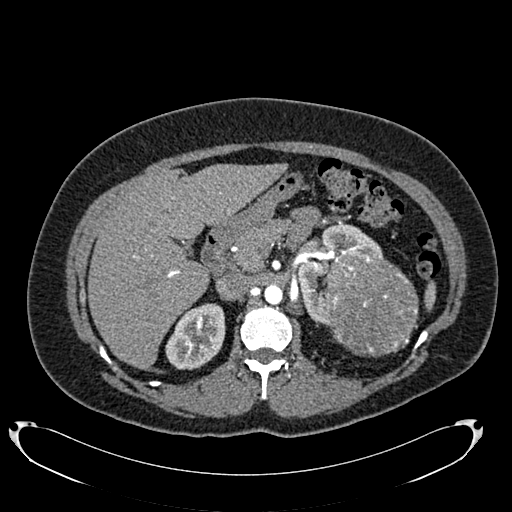
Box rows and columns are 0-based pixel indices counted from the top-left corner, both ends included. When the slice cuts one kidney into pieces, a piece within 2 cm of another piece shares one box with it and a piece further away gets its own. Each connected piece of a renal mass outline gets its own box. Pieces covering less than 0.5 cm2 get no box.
This is axial slice 487 of 634 (slice 1 is the lowest) of an arterial-phase abdominal CT with contrast; each pixel is 0.838 mm and the slice is 1.00 mm thick. Three boxes on this slice (two kidney boxes and one renal mass box), listed by box centre from the image's left to its right. (1) Right kidney, box rows 303–369, columns 165–225 (outlined area 2,981 px, about 20.9 cm2). (2) Left kidney, box rows 224–326, columns 296–382 (outlined area 3,210 px, about 22.5 cm2). (3) Left renal mass, box rows 250–356, columns 322–418 (outlined area 7,995 px, about 56.1 cm2).
Acquired at 120 kVp and reconstructed with the B20f kernel.